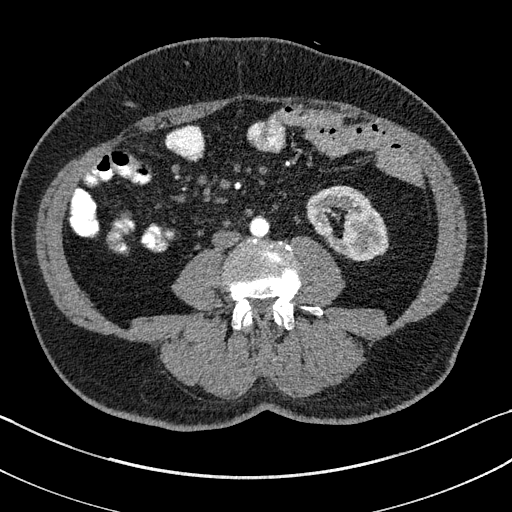
Axial slice 48 of 195 of a contrast-enhanced abdominal CT in the arterial phase (slice 1 is the lowest), 100 kVp, kernel I31f; 1.50 mm slice thickness and 0.707 mm pixels.
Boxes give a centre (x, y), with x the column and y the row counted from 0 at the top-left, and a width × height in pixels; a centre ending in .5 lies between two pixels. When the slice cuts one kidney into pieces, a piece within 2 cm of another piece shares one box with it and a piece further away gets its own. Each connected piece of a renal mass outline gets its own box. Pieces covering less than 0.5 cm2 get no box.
Box centre (347.5, 222.5), 82 × 76 pixels: left kidney (outlined area 4,034 px, about 20.2 cm2). No renal mass outline on this slice.